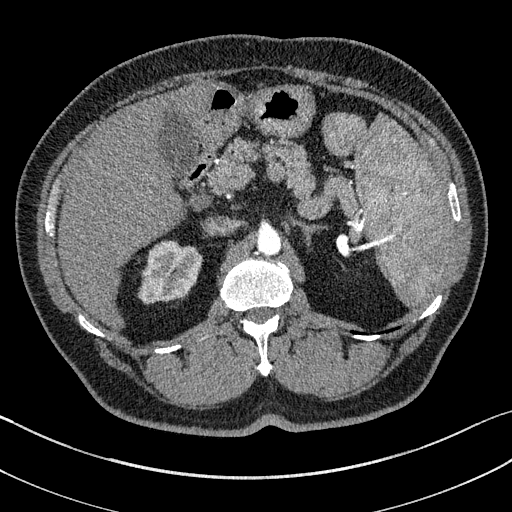
Abdominal CT with intravenous contrast, arterial phase, axial plane, 100 kVp, kernel I31f. Slice 106/195 from the bottom of the scan; thickness 1.50 mm; pixel size 0.707 mm.
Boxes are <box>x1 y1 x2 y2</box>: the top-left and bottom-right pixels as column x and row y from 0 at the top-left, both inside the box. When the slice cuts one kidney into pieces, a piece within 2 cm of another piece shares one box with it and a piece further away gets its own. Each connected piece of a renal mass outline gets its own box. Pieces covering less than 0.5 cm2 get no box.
At <box>138 241 202 303</box>: right kidney (outlined area 2,957 px, about 14.8 cm2). No renal mass is outlined on this slice.